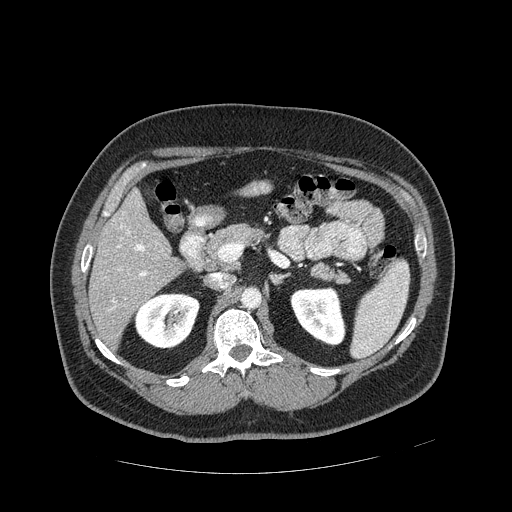
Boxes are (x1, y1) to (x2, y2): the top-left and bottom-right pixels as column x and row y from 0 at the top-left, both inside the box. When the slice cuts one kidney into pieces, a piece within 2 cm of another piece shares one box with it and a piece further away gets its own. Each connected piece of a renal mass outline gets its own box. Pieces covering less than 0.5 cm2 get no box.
Slice 276/389 of a contrast-enhanced abdominal CT in the arterial phase, counting up from the lowest; pixel size 0.869 mm, slice thickness 1.25 mm. Boxed on this slice (two kidney boxes), listed by box centre from the image's left to its right: (1) Box (133, 292) to (199, 349): right kidney (outlined area 2,857 px, about 21.6 cm2). (2) Left kidney, box (290, 286) to (346, 347) (outlined area 2,468 px, about 18.6 cm2). No renal mass outline on this slice.
Acquired at 120 kVp and reconstructed with the STANDARD kernel.